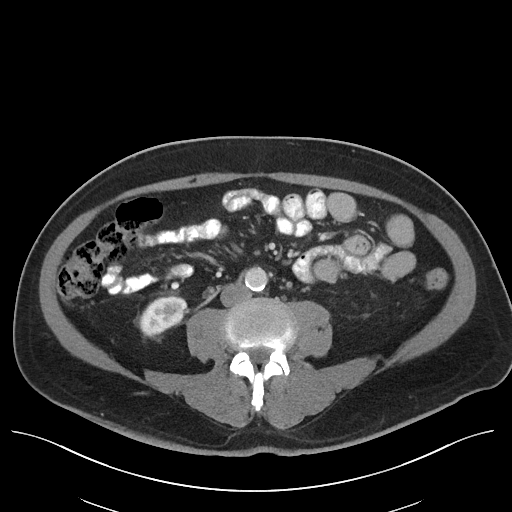
Abdominal CT with intravenous contrast, arterial phase, axial plane, 120 kVp, kernel I40f. Slice 52/96 from the bottom of the scan; thickness 5.00 mm; pixel size 0.840 mm.
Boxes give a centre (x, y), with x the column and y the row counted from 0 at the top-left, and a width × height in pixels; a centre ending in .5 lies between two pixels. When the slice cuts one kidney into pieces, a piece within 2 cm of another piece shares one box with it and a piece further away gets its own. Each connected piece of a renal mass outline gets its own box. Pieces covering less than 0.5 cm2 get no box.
Right kidney, box centre (163.5, 316), 50 × 41 pixels (outlined area 1,357 px, about 9.6 cm2). No renal mass is outlined on this slice.